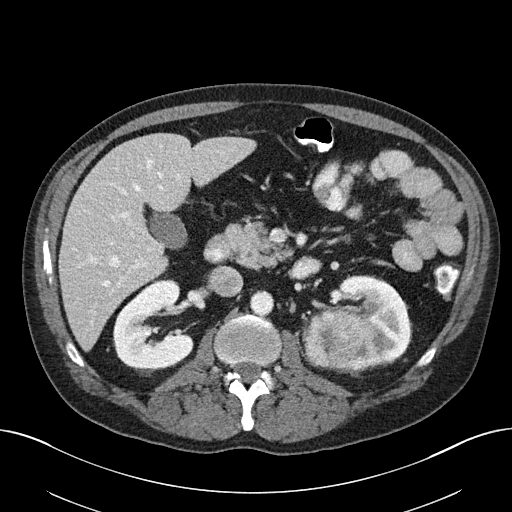
Abdominal CT with intravenous contrast, axial plane, 100 kVp, kernel I40f. Slice 112/163 from the bottom of the scan; thickness 3.00 mm; pixel size 0.799 mm.
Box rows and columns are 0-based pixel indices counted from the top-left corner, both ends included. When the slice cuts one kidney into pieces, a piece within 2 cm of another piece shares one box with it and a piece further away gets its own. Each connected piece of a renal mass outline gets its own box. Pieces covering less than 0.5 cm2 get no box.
Two kidney boxes and one renal mass box on this slice; by box centre, from the image's left to its right: (1) Box rows 279–371, columns 113–192: right kidney (outlined area 4,821 px, about 30.8 cm2). (2) Left renal mass at rows 310–369, columns 306–364 (outlined area 2,801 px, about 17.9 cm2). (3) Box rows 275–369, columns 315–409: left kidney (outlined area 4,781 px, about 30.5 cm2).